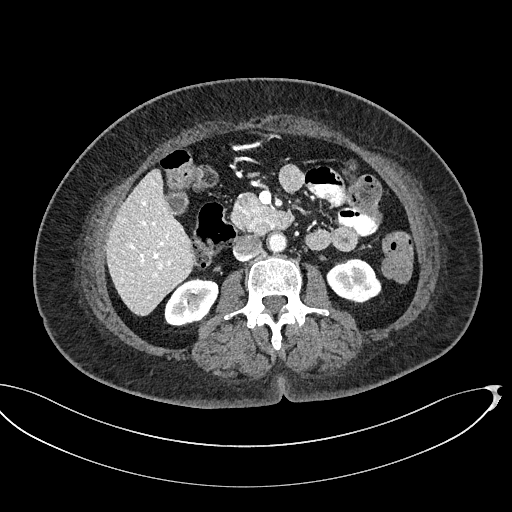
One axial slice (279 of 439, counting up from the lowest) of a contrast-enhanced abdominal CT acquired with 100 kVp, kernel I40f; each pixel is 0.850 mm and the slice is 2.00 mm thick.
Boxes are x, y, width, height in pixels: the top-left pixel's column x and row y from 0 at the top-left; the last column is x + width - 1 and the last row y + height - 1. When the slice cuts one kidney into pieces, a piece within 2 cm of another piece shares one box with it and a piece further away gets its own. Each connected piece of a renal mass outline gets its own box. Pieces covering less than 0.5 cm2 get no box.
Two kidney boxes on this slice; by box centre, from the image's left to its right: (1) Right kidney at x 164, y 278, width 55, height 49 (outlined area 1,933 px, about 14.0 cm2). (2) Left kidney at x 326, y 258, width 56, height 46 (outlined area 1,841 px, about 13.3 cm2). No renal mass is outlined on this slice.